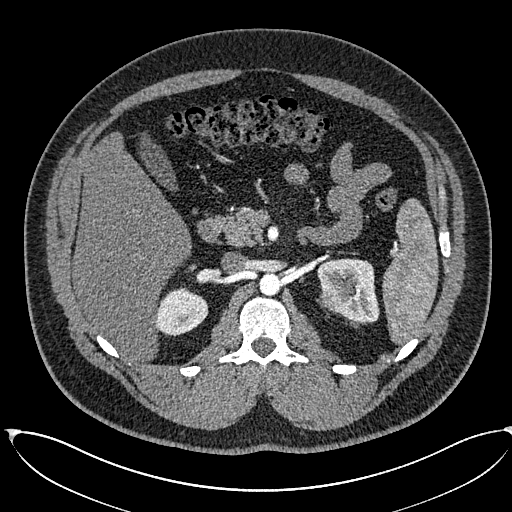
Axial slice 393 of 673 of a contrast-enhanced abdominal CT in the arterial phase (slice 1 is the lowest), 120 kVp, kernel I30f; 1.00 mm slice thickness and 0.855 mm pixels.
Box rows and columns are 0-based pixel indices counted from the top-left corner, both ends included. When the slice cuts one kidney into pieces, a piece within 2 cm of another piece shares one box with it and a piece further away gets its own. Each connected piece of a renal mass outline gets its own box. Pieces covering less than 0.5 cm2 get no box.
Three boxes on this slice (two kidney boxes and one renal mass box), listed by box centre from the image's left to its right. (1) Box rows 287–335, columns 155–208: right kidney (outlined area 1,930 px, about 14.1 cm2). (2) Box rows 287–313, columns 318–351: left renal mass (outlined area 686 px, about 5.0 cm2). (3) Left kidney, box rows 258–323, columns 317–379 (outlined area 2,610 px, about 19.1 cm2).